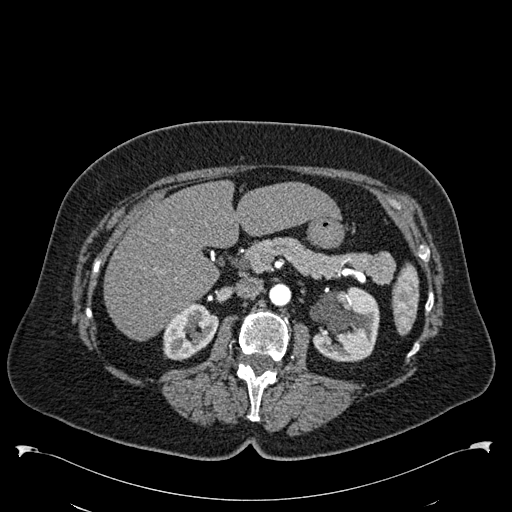
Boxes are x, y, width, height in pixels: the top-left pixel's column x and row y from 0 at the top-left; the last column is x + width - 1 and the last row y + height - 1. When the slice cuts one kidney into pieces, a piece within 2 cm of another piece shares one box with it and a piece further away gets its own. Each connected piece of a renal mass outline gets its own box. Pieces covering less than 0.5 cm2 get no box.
This is axial slice 347 of 538 (slice 1 is the lowest) of an arterial-phase abdominal CT with contrast; each pixel is 0.811 mm and the slice is 1.00 mm thick. Boxed on this slice (two kidney boxes), listed by box centre from the image's left to its right: (1) Right kidney at x 162, y 303, width 57, height 58 (outlined area 2,241 px, about 14.7 cm2). (2) Left kidney at x 310, y 286, width 70, height 76 (outlined area 4,064 px, about 26.7 cm2). No renal mass is outlined on this slice.
Tube voltage 120 kVp; convolution kernel B30f.